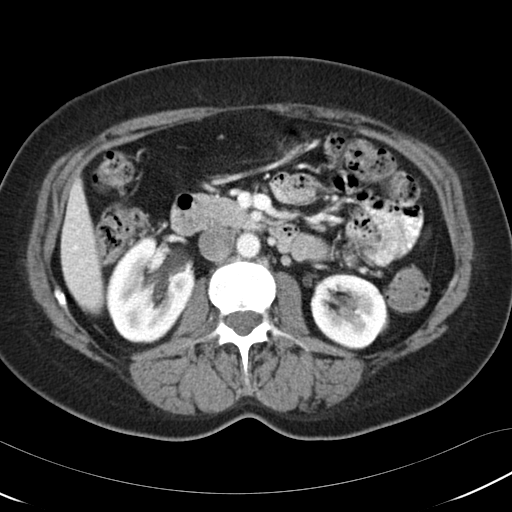
Abdominal CT with intravenous contrast, axial plane, 120 kVp, kernel B30f. Slice 63/97 from the bottom of the scan; thickness 5.00 mm; pixel size 0.664 mm.
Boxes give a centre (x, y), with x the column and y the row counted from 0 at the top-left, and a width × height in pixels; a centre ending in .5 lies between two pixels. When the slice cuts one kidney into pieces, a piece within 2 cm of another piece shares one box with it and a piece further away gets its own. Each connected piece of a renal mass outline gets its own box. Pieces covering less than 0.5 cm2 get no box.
Two boxes on this slice (two kidney boxes), listed by box centre from the image's left to its right. (1) Right kidney, box centre (150.5, 289.5), 94 × 108 pixels (outlined area 6,993 px, about 30.8 cm2). (2) Left kidney in a box with centre (349, 311), 79 × 77 pixels (outlined area 4,606 px, about 20.3 cm2). No renal mass is outlined on this slice.